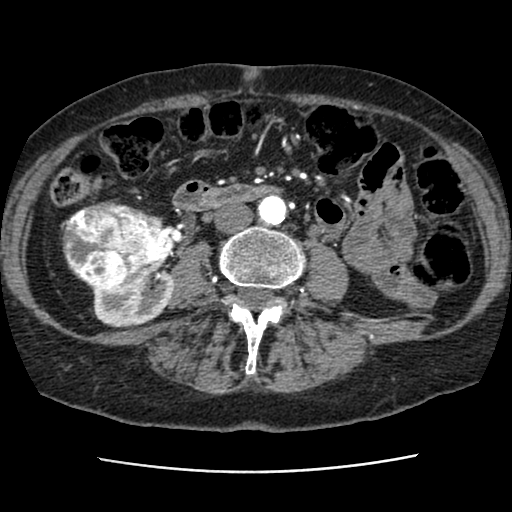
One axial slice (29 of 76, counting up from the lowest) of a contrast-enhanced abdominal CT acquired with 120 kVp, kernel STANDARD; each pixel is 0.586 mm and the slice is 2.50 mm thick.
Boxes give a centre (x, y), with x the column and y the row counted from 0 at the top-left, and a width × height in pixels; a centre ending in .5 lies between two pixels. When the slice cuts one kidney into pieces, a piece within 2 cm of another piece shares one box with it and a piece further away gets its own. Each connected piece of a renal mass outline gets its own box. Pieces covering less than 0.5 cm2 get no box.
Boxed on this slice (one kidney box and one renal mass box), listed by box centre from the image's left to its right: (1) Box centre (116, 245), 109 × 91 pixels: right renal mass (outlined area 7,364 px, about 25.3 cm2). (2) Right kidney in a box with centre (132.5, 292.5), 84 × 70 pixels (outlined area 3,267 px, about 11.2 cm2).